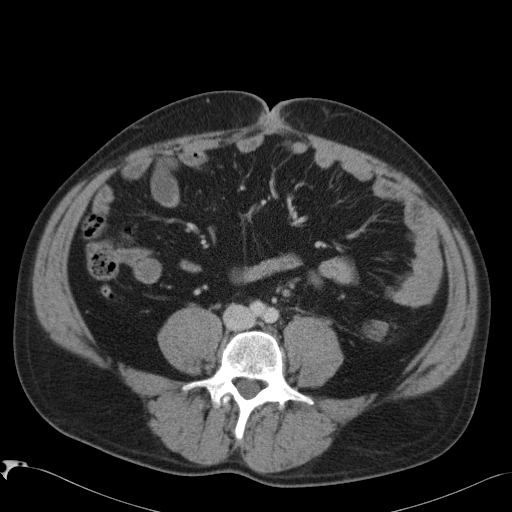
Axial slice 39 of 88 of a contrast-enhanced abdominal CT in the arterial phase (slice 1 is the lowest), 120 kVp, kernel B41f; 5.00 mm slice thickness and 0.723 mm pixels.
Outside the outlined region: no kidney outline and no renal mass outline on this slice. The scan's outlines cover only kidneys and renal masses; no other organ is outlined.